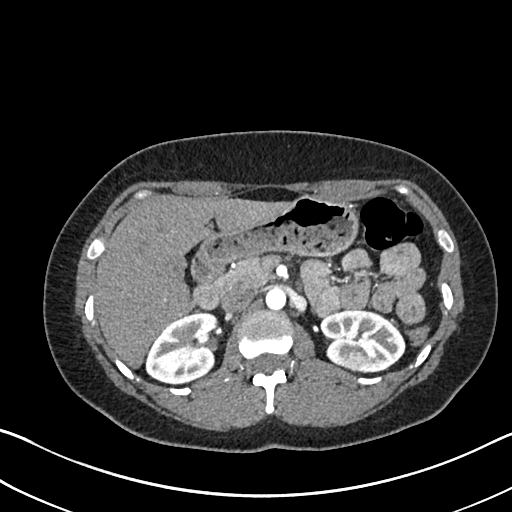
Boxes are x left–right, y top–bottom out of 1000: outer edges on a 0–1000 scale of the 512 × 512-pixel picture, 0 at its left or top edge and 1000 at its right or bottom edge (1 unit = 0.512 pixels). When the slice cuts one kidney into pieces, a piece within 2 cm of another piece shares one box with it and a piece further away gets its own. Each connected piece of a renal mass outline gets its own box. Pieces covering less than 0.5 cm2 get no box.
Slice 440/612 of a contrast-enhanced abdominal CT in the arterial phase, counting up from the lowest; pixel size 0.703 mm, slice thickness 1.00 mm. Two kidney boxes and one renal mass box on this slice; by box centre, from the image's left to its right: (1) Right kidney at x 283–430, y 609–752 out of 1000 (outlined area 3,994 px, about 19.7 cm2). (2) Left renal mass at x 670–719, y 686–729 out of 1000 (outlined area 437 px, about 2.2 cm2). (3) Left kidney, box x 623–793, y 604–729 out of 1000 (outlined area 3,808 px, about 18.8 cm2).
Tube voltage 120 kVp; convolution kernel I30f.